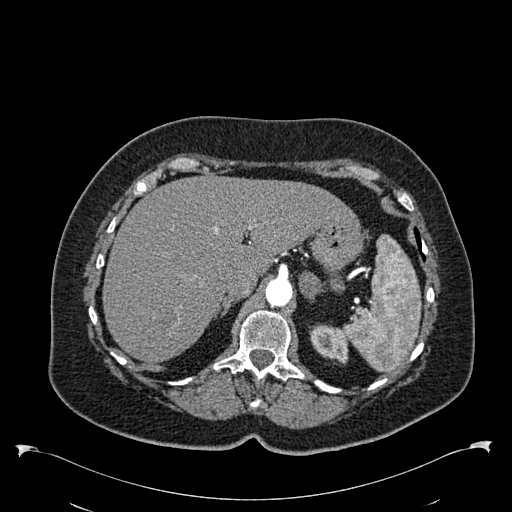
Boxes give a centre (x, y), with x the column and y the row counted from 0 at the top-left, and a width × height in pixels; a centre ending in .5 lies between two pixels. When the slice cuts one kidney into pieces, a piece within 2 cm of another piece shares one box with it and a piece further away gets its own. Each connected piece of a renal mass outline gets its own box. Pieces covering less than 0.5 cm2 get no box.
This is axial slice 437 of 538 (slice 1 is the lowest) of an arterial-phase abdominal CT with contrast; each pixel is 0.811 mm and the slice is 1.00 mm thick. Left kidney in a box with centre (328.5, 344), 40 × 41 pixels (outlined area 1,139 px, about 7.5 cm2). No renal mass is outlined on this slice.
Acquired at 120 kVp and reconstructed with the B30f kernel.